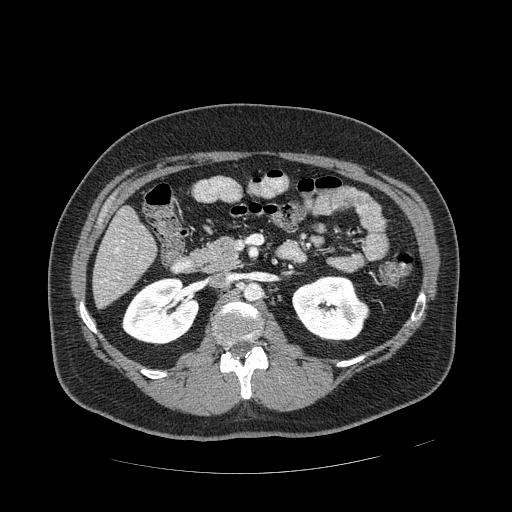
Arterial-phase contrast-enhanced abdominal CT, axial slice 261 of 389 (counted from the lowest slice); tube voltage 120 kVp, convolution kernel STANDARD; slices 1.25 mm thick, 0.869 mm per pixel.
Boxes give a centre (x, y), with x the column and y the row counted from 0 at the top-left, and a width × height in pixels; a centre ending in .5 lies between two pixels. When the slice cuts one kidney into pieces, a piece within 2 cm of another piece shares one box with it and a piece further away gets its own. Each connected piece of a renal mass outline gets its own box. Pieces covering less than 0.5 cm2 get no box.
Two kidney boxes and one renal mass box on this slice; by box centre, from the image's left to its right: (1) Right kidney, box centre (160.5, 311.5), 78 × 68 pixels (outlined area 3,846 px, about 29.1 cm2). (2) Left kidney, box centre (328, 308.5), 73 × 68 pixels (outlined area 3,537 px, about 26.7 cm2). (3) Box centre (360, 310), 19 × 19 pixels: left renal mass (outlined area 286 px, about 2.2 cm2).